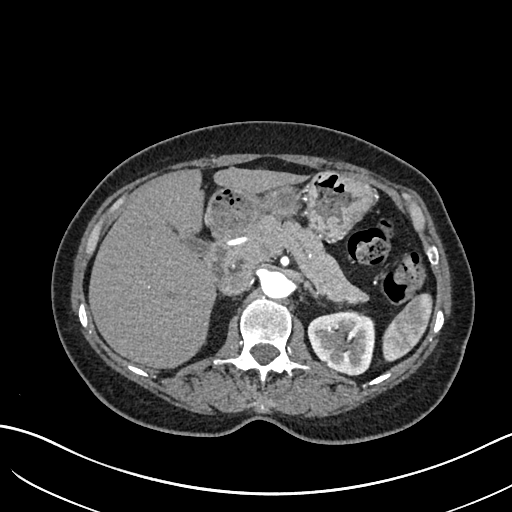
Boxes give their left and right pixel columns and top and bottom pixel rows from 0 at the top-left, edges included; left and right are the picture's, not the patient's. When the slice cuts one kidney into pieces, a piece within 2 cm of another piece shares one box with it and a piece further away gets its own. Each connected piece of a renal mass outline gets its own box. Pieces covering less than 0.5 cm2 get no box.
Arterial-phase contrast-enhanced abdominal CT, axial slice 433 of 683 (counted from the lowest slice); 1.00 mm thick, 0.738 mm per pixel. Box with left 307, top 310, right 375, bottom 375: left kidney (outlined area 3,460 px, about 18.9 cm2). No renal mass is outlined on this slice.
Tube voltage 120 kVp; convolution kernel I30f.